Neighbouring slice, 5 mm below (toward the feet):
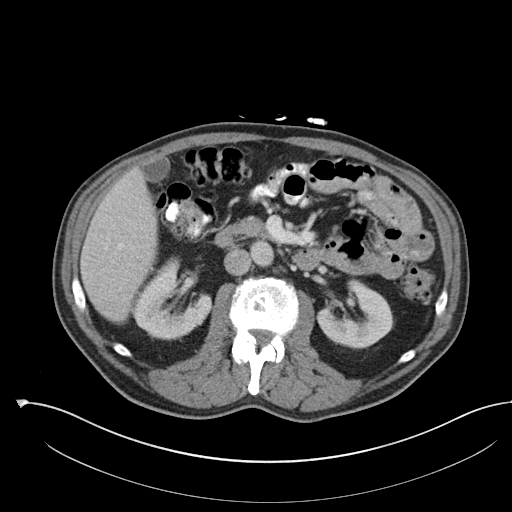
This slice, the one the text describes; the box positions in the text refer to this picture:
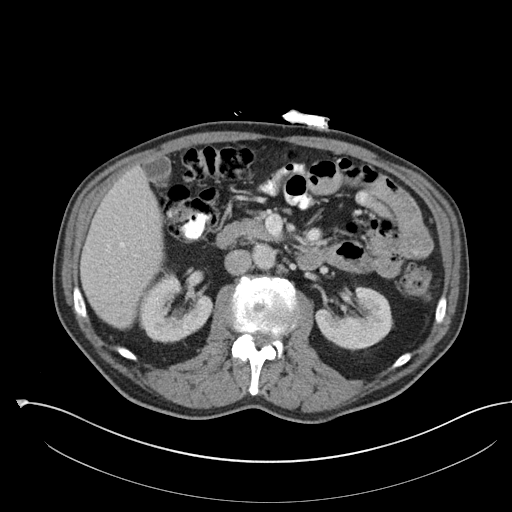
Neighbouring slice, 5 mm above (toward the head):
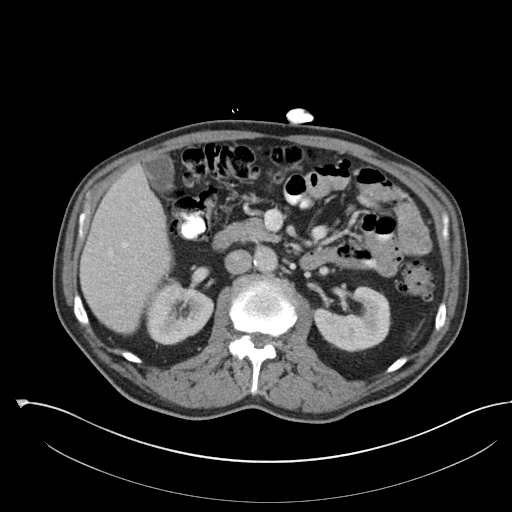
Contrast-enhanced abdominal CT, axial slice 67 of 142 (counted from the lowest slice); tube voltage 100 kVp, convolution kernel I30f; slices 5.00 mm thick, 0.855 mm per pixel.
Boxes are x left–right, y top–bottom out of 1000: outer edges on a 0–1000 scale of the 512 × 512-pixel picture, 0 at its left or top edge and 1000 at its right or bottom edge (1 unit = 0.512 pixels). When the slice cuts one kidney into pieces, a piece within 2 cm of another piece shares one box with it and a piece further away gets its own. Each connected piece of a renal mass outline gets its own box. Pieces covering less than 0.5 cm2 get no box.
Two kidney boxes and one renal mass box on this slice; by box centre, from the image's left to its right: (1) Right renal mass, box x 293–359, y 625–666 out of 1000 (outlined area 556 px, about 4.1 cm2). (2) Right kidney, box x 271–416, y 535–670 out of 1000 (outlined area 2,974 px, about 21.8 cm2). (3) Left kidney at x 613–770, y 559–688 out of 1000 (outlined area 3,584 px, about 26.2 cm2). This slice is near the end of the right renal mass toward the head, so the slices 5 mm below and 5 mm above it are shown as well; the boxes refer to this slice only.